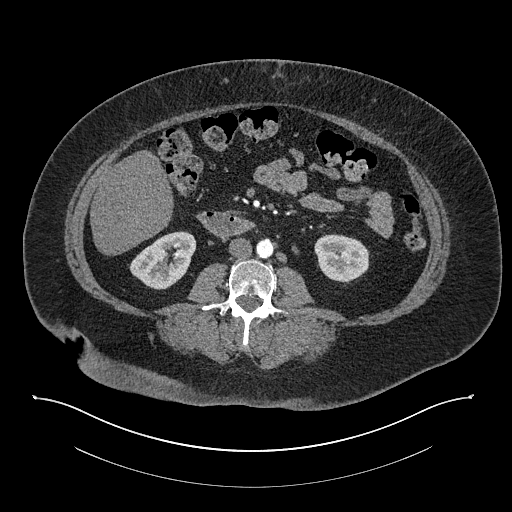
Abdominal CT with intravenous contrast, arterial phase, axial plane, 140 kVp, kernel I30f. Slice 387/673 from the bottom of the scan; thickness 1.00 mm; pixel size 0.957 mm.
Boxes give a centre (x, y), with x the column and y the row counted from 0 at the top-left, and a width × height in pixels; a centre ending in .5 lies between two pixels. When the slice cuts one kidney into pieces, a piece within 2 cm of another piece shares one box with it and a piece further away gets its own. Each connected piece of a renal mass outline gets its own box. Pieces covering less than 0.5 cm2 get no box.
Two kidney boxes on this slice; by box centre, from the image's left to its right: (1) Box centre (162.5, 260), 68 × 59 pixels: right kidney (outlined area 2,639 px, about 24.2 cm2). (2) Left kidney in a box with centre (341.5, 258), 56 × 49 pixels (outlined area 2,108 px, about 19.3 cm2). No renal mass outline on this slice.